Contrast-enhanced abdominal CT, axial slice 40 of 80 (counted from the lowest slice); tube voltage 120 kVp, convolution kernel B30f; slices 3.00 mm thick, 0.822 mm per pixel.
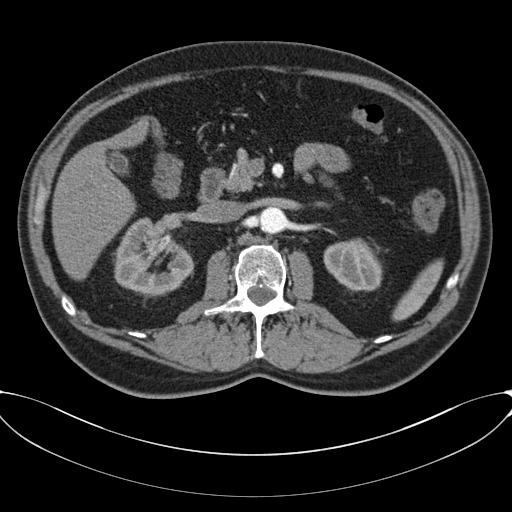
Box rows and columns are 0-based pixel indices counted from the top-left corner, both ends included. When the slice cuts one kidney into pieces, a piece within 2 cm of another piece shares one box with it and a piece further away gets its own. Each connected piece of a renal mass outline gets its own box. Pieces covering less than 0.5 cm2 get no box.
Two kidney boxes on this slice; by box centre, from the image's left to its right: (1) Right kidney at rows 217–299, columns 113–193 (outlined area 4,349 px, about 29.4 cm2). (2) Box rows 237–291, columns 323–381: left kidney (outlined area 2,334 px, about 15.8 cm2). This slice carries no renal mass outline.